Arterial-phase contrast-enhanced abdominal CT, axial slice 279 of 602 (counted from the lowest slice); tube voltage 120 kVp, convolution kernel I30f; slices 1.00 mm thick, 0.799 mm per pixel.
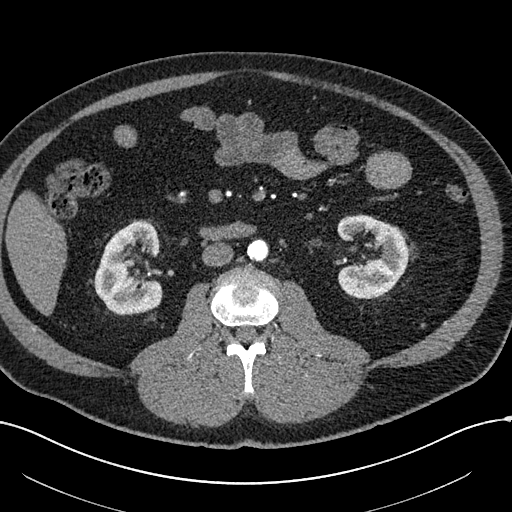
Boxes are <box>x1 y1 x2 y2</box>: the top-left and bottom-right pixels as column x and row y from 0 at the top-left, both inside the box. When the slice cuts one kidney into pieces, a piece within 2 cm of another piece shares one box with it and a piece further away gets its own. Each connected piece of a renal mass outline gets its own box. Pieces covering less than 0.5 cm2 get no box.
Two boxes on this slice (two kidney boxes), listed by box centre from the image's left to its right. (1) At <box>94 221 162 315</box>: right kidney (outlined area 4,764 px, about 30.4 cm2). (2) Left kidney: <box>337 215 408 298</box> (outlined area 4,261 px, about 27.2 cm2). No renal mass outline on this slice.